Arterial-phase contrast-enhanced abdominal CT, axial slice 88 of 195 (counted from the lowest slice); tube voltage 100 kVp, convolution kernel I31f; slices 1.50 mm thick, 0.707 mm per pixel.
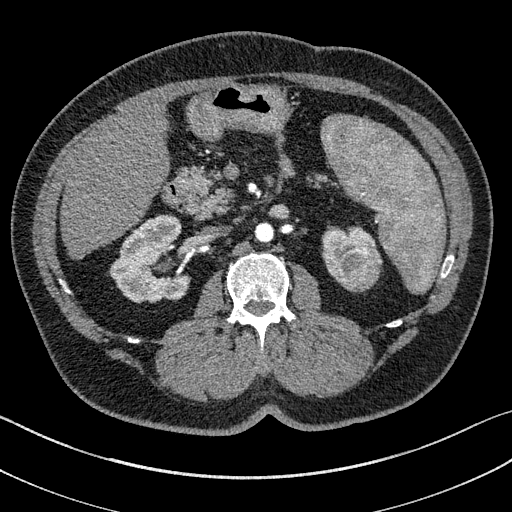
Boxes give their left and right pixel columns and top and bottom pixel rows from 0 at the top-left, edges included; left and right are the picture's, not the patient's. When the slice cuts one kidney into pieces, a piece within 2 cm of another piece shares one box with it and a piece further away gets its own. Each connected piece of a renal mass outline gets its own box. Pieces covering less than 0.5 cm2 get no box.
Boxed on this slice (two kidney boxes and one renal mass box), listed by box centre from the image's left to its right: (1) Right kidney, the box with left 110, top 215, right 189, bottom 302 (outlined area 4,769 px, about 23.8 cm2). (2) Left kidney in the box with left 322, top 226, right 375, bottom 279 (outlined area 1,357 px, about 6.8 cm2). (3) Left renal mass, the box with left 336, top 247, right 381, bottom 290 (outlined area 1,616 px, about 8.1 cm2).